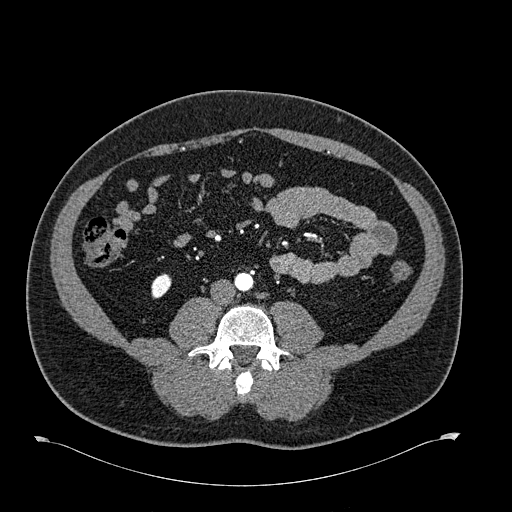
Abdominal CT with intravenous contrast, arterial phase, axial plane, 120 kVp, kernel B30f. Slice 250/723 from the bottom of the scan; thickness 1.00 mm; pixel size 0.895 mm.
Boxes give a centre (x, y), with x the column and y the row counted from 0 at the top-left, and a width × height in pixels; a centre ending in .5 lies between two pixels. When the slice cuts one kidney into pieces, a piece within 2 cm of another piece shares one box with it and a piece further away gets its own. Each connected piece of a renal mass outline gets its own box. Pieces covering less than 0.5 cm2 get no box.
Box centre (161, 285.5), 21 × 26 pixels: right kidney (outlined area 394 px, about 3.2 cm2). No renal mass is outlined on this slice.